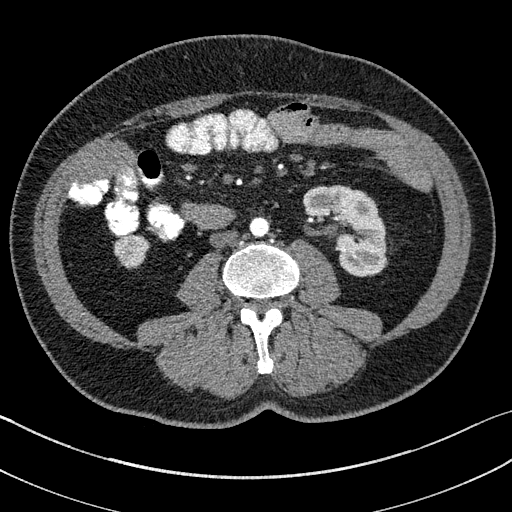
Axial slice 57 of 195 of a contrast-enhanced abdominal CT in the arterial phase (slice 1 is the lowest), 100 kVp, kernel I31f; 1.50 mm slice thickness and 0.707 mm pixels.
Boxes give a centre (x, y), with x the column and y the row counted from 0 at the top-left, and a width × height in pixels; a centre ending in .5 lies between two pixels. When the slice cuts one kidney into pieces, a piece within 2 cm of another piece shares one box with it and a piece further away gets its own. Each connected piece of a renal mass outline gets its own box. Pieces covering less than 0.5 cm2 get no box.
Boxed on this slice (two kidney boxes), listed by box centre from the image's left to its right: (1) Right kidney, box centre (131.5, 251), 36 × 35 pixels (outlined area 906 px, about 4.5 cm2). (2) Left kidney, box centre (344.5, 230.5), 84 × 92 pixels (outlined area 4,940 px, about 24.7 cm2). No renal mass is outlined on this slice.